Abdominal CT with intravenous contrast, arterial phase, axial plane, 120 kVp, kernel I40f. Slice 64/86 from the bottom of the scan; thickness 5.00 mm; pixel size 0.977 mm.
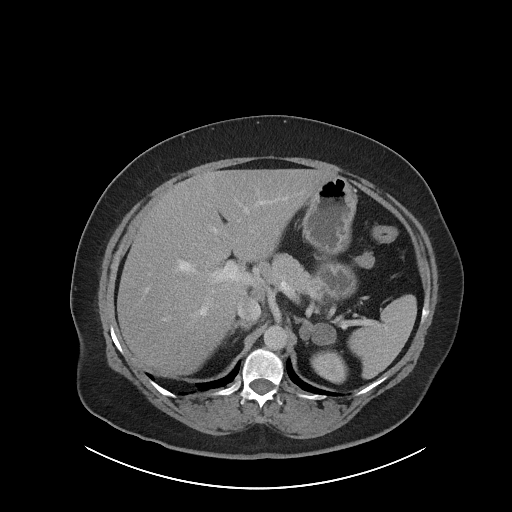
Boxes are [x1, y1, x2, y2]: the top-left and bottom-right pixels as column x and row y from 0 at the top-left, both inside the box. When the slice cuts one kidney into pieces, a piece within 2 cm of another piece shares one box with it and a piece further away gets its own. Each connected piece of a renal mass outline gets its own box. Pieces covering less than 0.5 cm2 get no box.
Left kidney, box [310, 349, 347, 383] (outlined area 919 px, about 8.8 cm2). No renal mass outline on this slice.